Axial slice 423 of 626 of a contrast-enhanced abdominal CT in the arterial phase (slice 1 is the lowest), 120 kVp, kernel I30f; 1.00 mm slice thickness and 0.703 mm pixels.
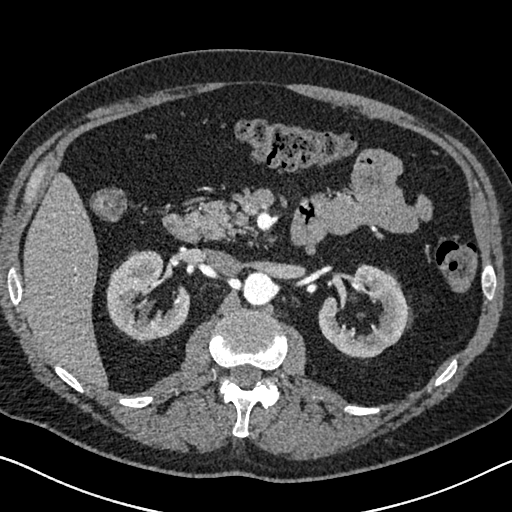
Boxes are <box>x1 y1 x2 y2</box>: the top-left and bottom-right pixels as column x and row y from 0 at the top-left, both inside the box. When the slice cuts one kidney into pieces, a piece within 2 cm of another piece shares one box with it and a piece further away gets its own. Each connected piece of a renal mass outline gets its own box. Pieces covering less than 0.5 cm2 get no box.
Two boxes on this slice (two kidney boxes), listed by box centre from the image's left to its right. (1) Right kidney: <box>106 250 189 341</box> (outlined area 4,994 px, about 24.7 cm2). (2) At <box>318 263 407 358</box>: left kidney (outlined area 4,954 px, about 24.5 cm2). No renal mass is outlined on this slice.